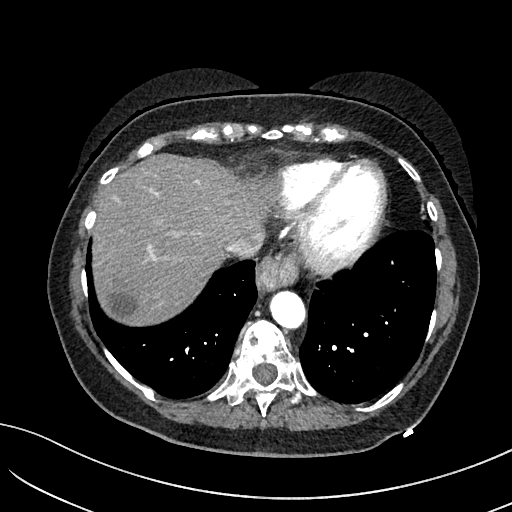
Axial slice 178 of 234 of a contrast-enhanced abdominal CT in the arterial phase (slice 1 is the lowest), 100 kVp, kernel I40f; 2.00 mm slice thickness and 0.699 mm pixels.
Neither a kidney nor a renal mass is outlined here. Only kidneys and renal masses are outlined anywhere in this scan; other structures are never outlined.